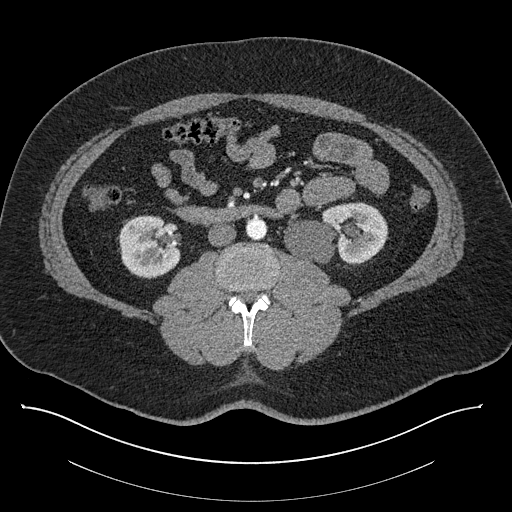
Contrast-enhanced abdominal CT, axial slice 429 of 787 (counted from the lowest slice); tube voltage 140 kVp, convolution kernel I30f; slices 1.00 mm thick, 0.910 mm per pixel.
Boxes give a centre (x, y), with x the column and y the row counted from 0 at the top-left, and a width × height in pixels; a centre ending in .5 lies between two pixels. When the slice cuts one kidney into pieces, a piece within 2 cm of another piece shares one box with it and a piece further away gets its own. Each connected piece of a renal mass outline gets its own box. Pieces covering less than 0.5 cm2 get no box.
Two kidney boxes on this slice; by box centre, from the image's left to its right: (1) Box centre (149, 247), 65 × 65 pixels: right kidney (outlined area 3,075 px, about 25.5 cm2). (2) Box centre (336, 233), 105 × 63 pixels: left kidney (outlined area 4,796 px, about 39.7 cm2). No renal mass outline on this slice.